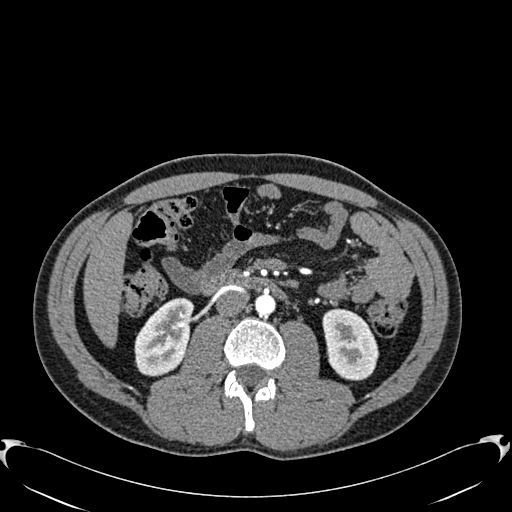
Axial slice 308 of 512 of a contrast-enhanced abdominal CT in the arterial phase (slice 1 is the lowest), 120 kVp, kernel B30f; 1.00 mm slice thickness and 0.771 mm pixels.
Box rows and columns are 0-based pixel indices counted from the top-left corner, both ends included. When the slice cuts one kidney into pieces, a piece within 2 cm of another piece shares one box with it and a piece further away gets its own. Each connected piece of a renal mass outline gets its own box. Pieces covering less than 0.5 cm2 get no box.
Boxed on this slice (two kidney boxes), listed by box centre from the image's left to its right: (1) Right kidney at rows 298–376, columns 134–193 (outlined area 3,362 px, about 20.0 cm2). (2) Box rows 308–380, columns 322–378: left kidney (outlined area 3,138 px, about 18.7 cm2). No renal mass is outlined on this slice.